Arterial-phase contrast-enhanced abdominal CT, axial slice 44 of 80 (counted from the lowest slice); tube voltage 100 kVp, convolution kernel I40f; slices 5.00 mm thick, 0.648 mm per pixel.
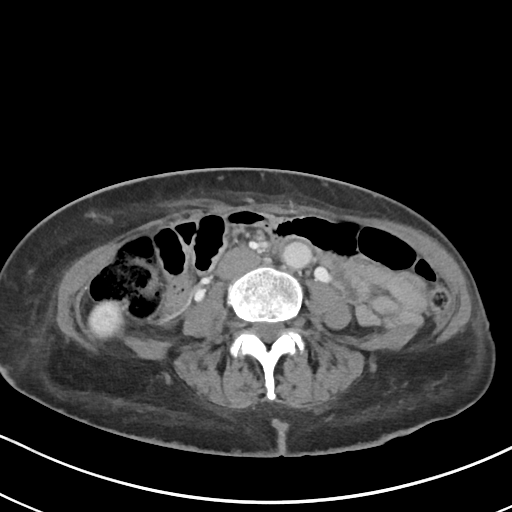
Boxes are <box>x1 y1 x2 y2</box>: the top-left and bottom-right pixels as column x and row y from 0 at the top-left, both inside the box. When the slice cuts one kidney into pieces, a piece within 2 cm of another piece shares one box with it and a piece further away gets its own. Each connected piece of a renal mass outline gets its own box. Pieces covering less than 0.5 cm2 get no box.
Right kidney at <box>89 301 121 335</box> (outlined area 882 px, about 3.7 cm2). No renal mass outline on this slice.